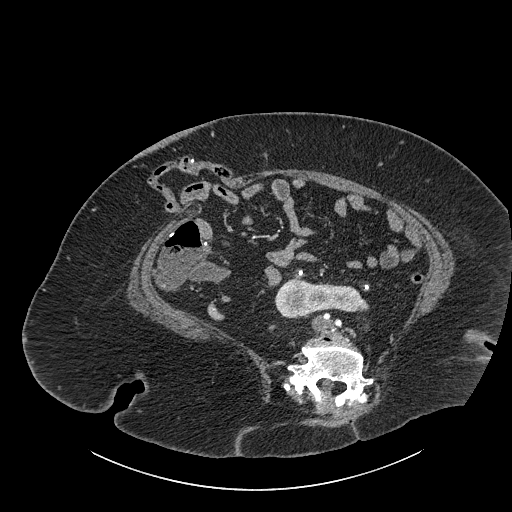
Abdominal CT with intravenous contrast, axial plane, 140 kVp, kernel I30f. Slice 414/834 from the bottom of the scan; thickness 1.00 mm; pixel size 0.977 mm.
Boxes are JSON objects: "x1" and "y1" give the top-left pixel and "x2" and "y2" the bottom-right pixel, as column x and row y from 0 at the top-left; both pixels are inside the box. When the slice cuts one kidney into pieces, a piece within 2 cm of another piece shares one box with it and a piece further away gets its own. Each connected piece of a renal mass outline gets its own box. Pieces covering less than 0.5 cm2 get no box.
Kidney crossing the body midline at {"x1": 274, "y1": 278, "x2": 369, "y2": 318} (outlined area 2,626 px, about 25.0 cm2). This slice carries no renal mass outline.